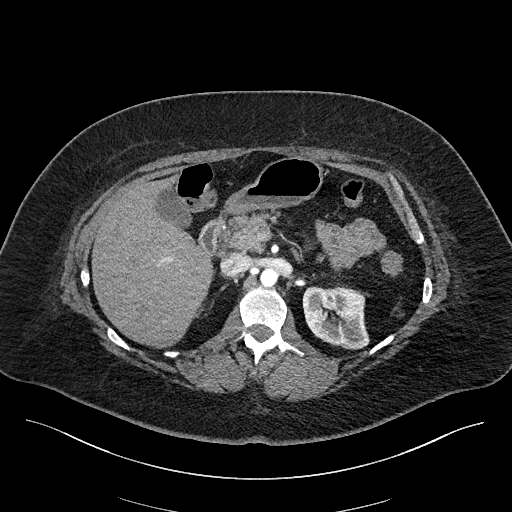
One axial slice (133 of 270, counting up from the lowest) of an arterial-phase abdominal CT acquired with 100 kVp, kernel I40f; each pixel is 0.855 mm and the slice is 2.00 mm thick.
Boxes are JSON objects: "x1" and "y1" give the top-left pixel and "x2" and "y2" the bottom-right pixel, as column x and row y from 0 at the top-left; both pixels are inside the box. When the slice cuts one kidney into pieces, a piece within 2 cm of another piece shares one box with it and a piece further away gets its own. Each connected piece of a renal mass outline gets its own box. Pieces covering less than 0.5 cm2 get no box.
Box {"x1": 302, "y1": 286, "x2": 369, "y2": 349}: left kidney (outlined area 3,361 px, about 24.6 cm2). No renal mass is outlined on this slice.